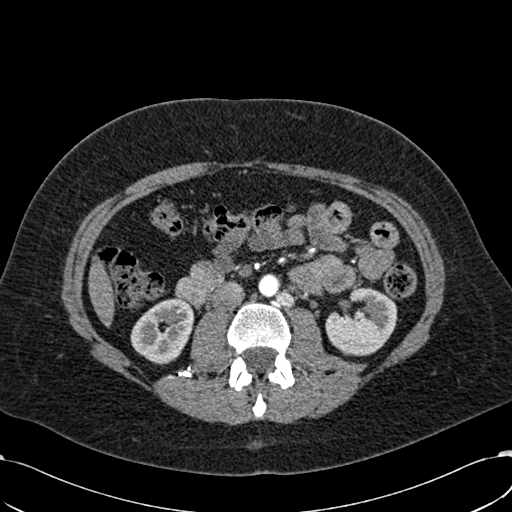
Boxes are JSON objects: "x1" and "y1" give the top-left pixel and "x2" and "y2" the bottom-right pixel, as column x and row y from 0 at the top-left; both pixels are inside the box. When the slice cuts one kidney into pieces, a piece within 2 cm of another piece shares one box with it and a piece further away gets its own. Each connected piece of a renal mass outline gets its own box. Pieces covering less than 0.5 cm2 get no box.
This is axial slice 311 of 532 (slice 1 is the lowest) of an arterial-phase abdominal CT with contrast; each pixel is 0.713 mm and the slice is 1.00 mm thick. Two boxes on this slice (two kidney boxes), listed by box centre from the image's left to its right. (1) Right kidney, box {"x1": 130, "y1": 298, "x2": 194, "y2": 364} (outlined area 3,042 px, about 15.5 cm2). (2) Left kidney at {"x1": 325, "y1": 287, "x2": 397, "y2": 355} (outlined area 3,590 px, about 18.2 cm2). This slice carries no renal mass outline.
Tube voltage 120 kVp; convolution kernel B30f.